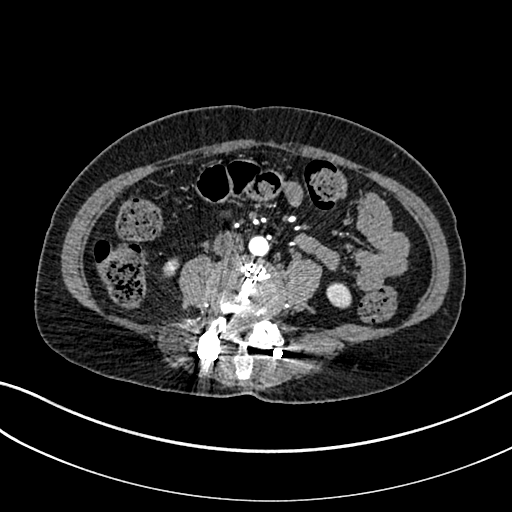
One axial slice (53 of 325, counting up from the lowest) of an arterial-phase abdominal CT acquired with 100 kVp, kernel I30f; each pixel is 0.703 mm and the slice is 1.00 mm thick.
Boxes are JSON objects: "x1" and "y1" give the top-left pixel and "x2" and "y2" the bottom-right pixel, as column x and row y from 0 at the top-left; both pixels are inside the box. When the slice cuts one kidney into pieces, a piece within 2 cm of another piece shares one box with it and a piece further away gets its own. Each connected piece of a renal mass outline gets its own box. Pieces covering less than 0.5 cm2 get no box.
Boxed on this slice (two kidney boxes), listed by box centre from the image's left to its right: (1) Right kidney at {"x1": 162, "y1": 257, "x2": 179, "y2": 277} (outlined area 241 px, about 1.2 cm2). (2) Box {"x1": 326, "y1": 282, "x2": 351, "y2": 308}: left kidney (outlined area 535 px, about 2.6 cm2). No renal mass is outlined on this slice.